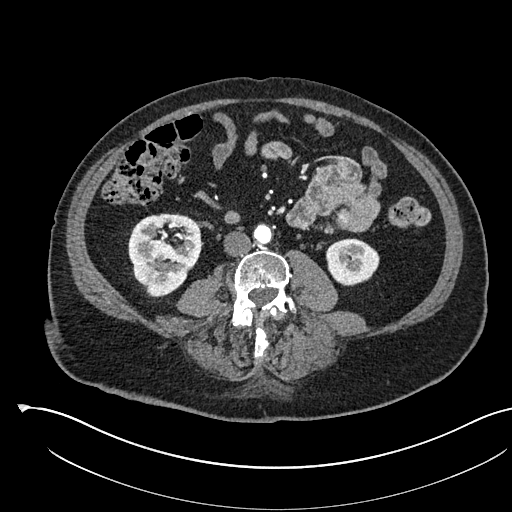
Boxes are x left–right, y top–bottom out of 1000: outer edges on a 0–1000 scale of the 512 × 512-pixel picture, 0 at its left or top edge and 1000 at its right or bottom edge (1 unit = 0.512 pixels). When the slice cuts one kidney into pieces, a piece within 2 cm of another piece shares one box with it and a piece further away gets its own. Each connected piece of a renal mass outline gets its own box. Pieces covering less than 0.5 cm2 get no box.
Slice 239/541 of a contrast-enhanced abdominal CT in the arterial phase, counting up from the lowest; pixel size 0.834 mm, slice thickness 1.00 mm. Two boxes on this slice (two kidney boxes), listed by box centre from the image's left to its right. (1) Box x 250–393, y 416–582 out of 1000: right kidney (outlined area 4,673 px, about 32.5 cm2). (2) Left kidney at x 637–742, y 465–559 out of 1000 (outlined area 2,004 px, about 13.9 cm2). This slice carries no renal mass outline.
Tube voltage 120 kVp; convolution kernel I30f.